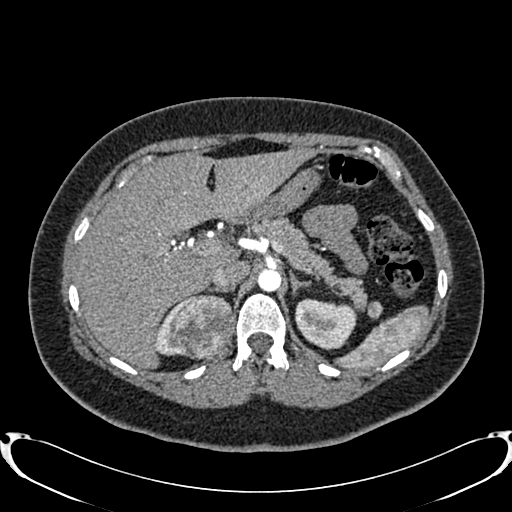
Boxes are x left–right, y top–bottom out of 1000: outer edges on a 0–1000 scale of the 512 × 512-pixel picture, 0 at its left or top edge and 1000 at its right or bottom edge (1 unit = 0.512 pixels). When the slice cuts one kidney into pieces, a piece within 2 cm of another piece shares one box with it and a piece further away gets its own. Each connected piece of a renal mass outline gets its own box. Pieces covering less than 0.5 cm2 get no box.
This is axial slice 576 of 719 (slice 1 is the lowest) of an arterial-phase abdominal CT with contrast; each pixel is 0.766 mm and the slice is 1.00 mm thick. Three boxes on this slice (two kidney boxes and one renal mass box), listed by box centre from the image's left to its right. (1) Right kidney, box x 301–373, y 578–697 out of 1000 (outlined area 688 px, about 4.0 cm2). (2) Right renal mass, box x 334–455, y 574–701 out of 1000 (outlined area 3,135 px, about 18.4 cm2). (3) Left kidney, box x 576–697, y 582–684 out of 1000 (outlined area 2,431 px, about 14.3 cm2).
Scan settings: 120 kVp, B20f reconstruction kernel.